Abdominal CT with intravenous contrast, arterial phase, axial plane, 120 kVp, kernel I30f. Slice 542/612 from the bottom of the scan; thickness 1.00 mm; pixel size 0.703 mm.
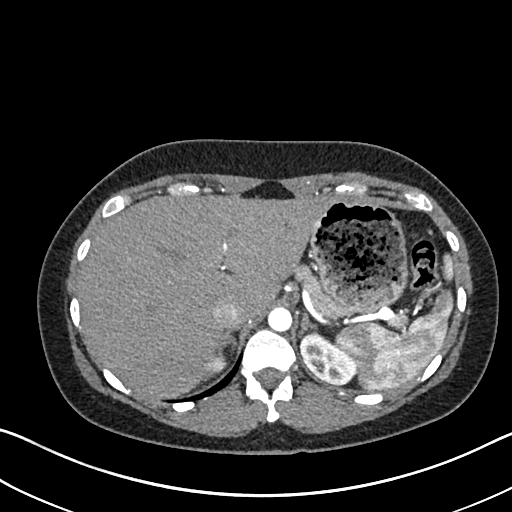
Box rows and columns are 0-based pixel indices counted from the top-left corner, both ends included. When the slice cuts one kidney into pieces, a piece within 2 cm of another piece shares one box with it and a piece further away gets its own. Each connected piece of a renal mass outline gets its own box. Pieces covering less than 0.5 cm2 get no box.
Two kidney boxes on this slice; by box centre, from the image's left to its right: (1) Right kidney at rows 350–374, columns 203–227 (outlined area 376 px, about 1.9 cm2). (2) Left kidney at rows 329–385, columns 300–356 (outlined area 2,019 px, about 10.0 cm2). This slice carries no renal mass outline.